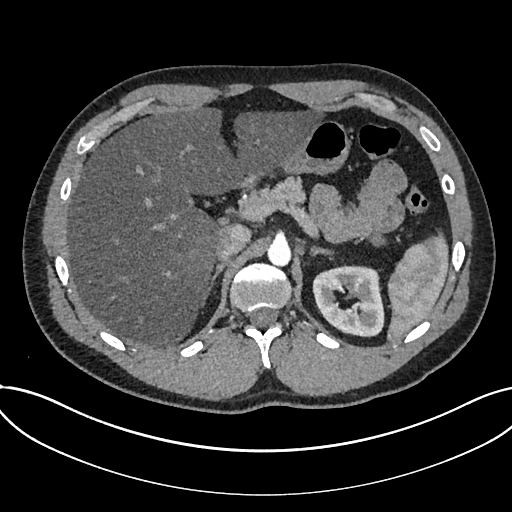
Arterial-phase contrast-enhanced abdominal CT, axial slice 526 of 735 (counted from the lowest slice); tube voltage 120 kVp, convolution kernel I30f; slices 1.00 mm thick, 0.789 mm per pixel.
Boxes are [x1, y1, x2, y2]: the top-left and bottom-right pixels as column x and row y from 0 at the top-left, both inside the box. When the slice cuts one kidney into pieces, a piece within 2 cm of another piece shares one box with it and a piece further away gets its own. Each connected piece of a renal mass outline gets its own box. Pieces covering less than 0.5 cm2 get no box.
Kidney at [312, 265, 384, 337] (outlined area 3,991 px, about 24.8 cm2). No renal mass is outlined on this slice.